Contrast-enhanced abdominal CT, axial slice 348 of 787 (counted from the lowest slice); tube voltage 140 kVp, convolution kernel I30f; slices 1.00 mm thick, 0.910 mm per pixel.
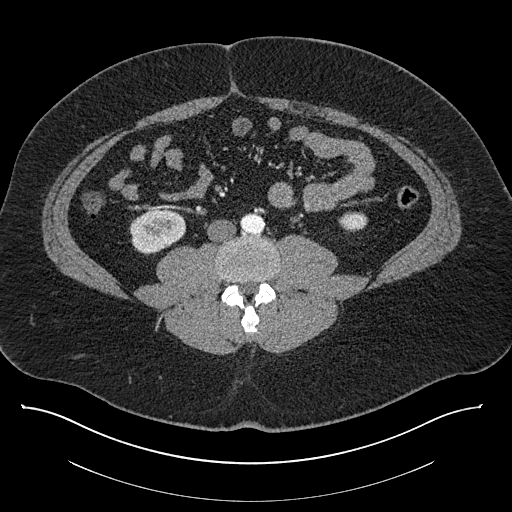
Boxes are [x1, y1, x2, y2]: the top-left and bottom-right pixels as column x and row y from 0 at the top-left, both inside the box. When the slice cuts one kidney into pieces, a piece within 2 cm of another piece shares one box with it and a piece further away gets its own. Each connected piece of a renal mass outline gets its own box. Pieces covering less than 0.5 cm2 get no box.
Two kidney boxes on this slice; by box centre, from the image's left to its right: (1) Right kidney, box [129, 209, 185, 254] (outlined area 1,969 px, about 16.3 cm2). (2) Left kidney at [338, 211, 367, 232] (outlined area 479 px, about 4.0 cm2). No renal mass is outlined on this slice.